Axial slice 39 of 69 of a contrast-enhanced abdominal CT in the arterial phase (slice 1 is the lowest), 120 kVp, kernel I40f; 3.00 mm slice thickness and 0.664 mm pixels.
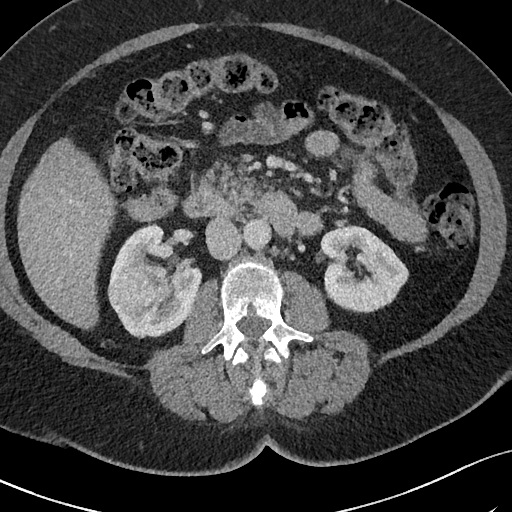
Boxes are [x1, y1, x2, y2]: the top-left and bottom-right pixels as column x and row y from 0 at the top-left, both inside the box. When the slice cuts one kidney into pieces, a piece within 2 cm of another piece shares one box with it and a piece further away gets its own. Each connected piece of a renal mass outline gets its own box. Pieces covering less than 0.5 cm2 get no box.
Boxed on this slice (two kidney boxes and one renal mass box), listed by box centre from the image's left to its right: (1) Right renal mass, box [107, 270, 152, 310] (outlined area 1,505 px, about 6.6 cm2). (2) Box [109, 222, 202, 338]: right kidney (outlined area 6,081 px, about 26.8 cm2). (3) Box [319, 222, 409, 313]: left kidney (outlined area 5,738 px, about 25.3 cm2).